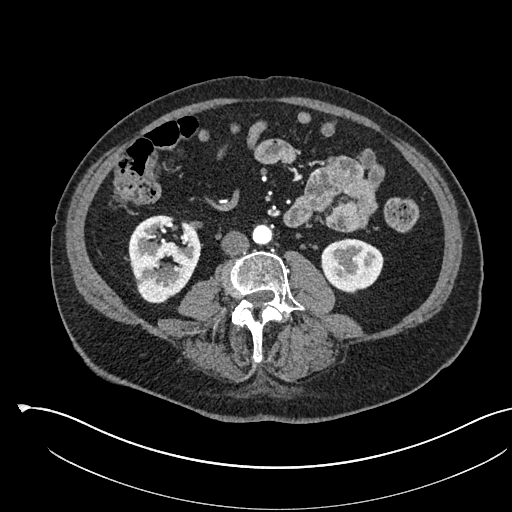
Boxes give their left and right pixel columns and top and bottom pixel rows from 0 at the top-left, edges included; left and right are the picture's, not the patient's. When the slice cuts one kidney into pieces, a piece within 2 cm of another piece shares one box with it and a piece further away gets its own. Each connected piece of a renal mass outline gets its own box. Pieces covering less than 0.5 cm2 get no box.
Slice 248/541 of a contrast-enhanced abdominal CT in the arterial phase, counting up from the lowest; pixel size 0.834 mm, slice thickness 1.00 mm. Boxed on this slice (two kidney boxes), listed by box centre from the image's left to its right: (1) Right kidney in the box with left 128, top 215, right 200, bottom 302 (outlined area 4,640 px, about 32.3 cm2). (2) Left kidney, the box with left 321, top 238, right 383, bottom 293 (outlined area 2,672 px, about 18.6 cm2). No renal mass is outlined on this slice.
Acquired at 120 kVp and reconstructed with the I30f kernel.